One axial slice (386 of 634, counting up from the lowest) of an arterial-phase abdominal CT acquired with 120 kVp, kernel B20f; each pixel is 0.838 mm and the slice is 1.00 mm thick.
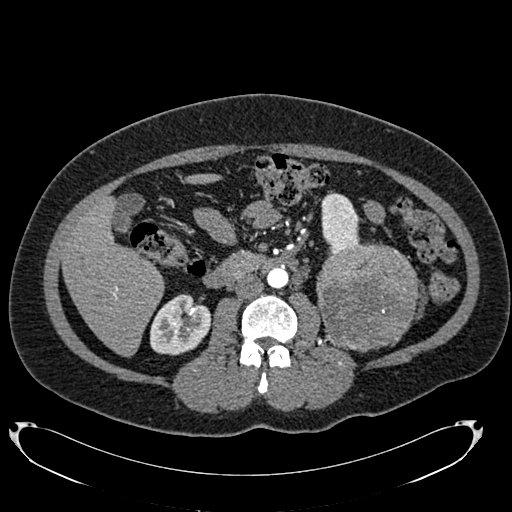
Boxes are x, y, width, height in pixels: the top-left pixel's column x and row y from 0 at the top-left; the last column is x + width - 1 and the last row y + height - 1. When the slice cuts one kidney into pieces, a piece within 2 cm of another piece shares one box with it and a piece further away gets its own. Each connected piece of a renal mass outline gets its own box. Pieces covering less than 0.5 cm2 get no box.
Boxed on this slice (two kidney boxes and one renal mass box), listed by box centre from the image's left to its right: (1) Box x 150, y 294, width 62, height 62: right kidney (outlined area 2,822 px, about 19.8 cm2). (2) Box x 320, y 191, width 41, height 62: left kidney (outlined area 1,829 px, about 12.8 cm2). (3) Box x 316, y 243, width 103, height 110: left renal mass (outlined area 9,041 px, about 63.5 cm2).